Contrast-enhanced abdominal CT, axial slice 74 of 102 (counted from the lowest slice); tube voltage 120 kVp, convolution kernel B41f; slices 5.00 mm thick, 0.807 mm per pixel.
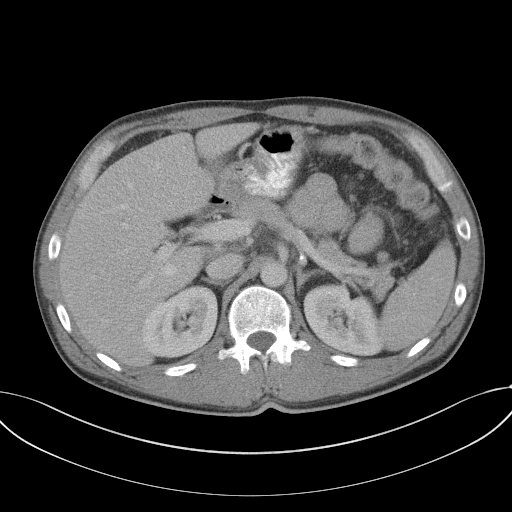
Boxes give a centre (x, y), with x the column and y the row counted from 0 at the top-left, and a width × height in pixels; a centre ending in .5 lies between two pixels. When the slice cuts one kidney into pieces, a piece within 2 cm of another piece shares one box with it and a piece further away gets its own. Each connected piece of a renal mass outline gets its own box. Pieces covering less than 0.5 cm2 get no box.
Two boxes on this slice (two kidney boxes), listed by box centre from the image's left to its right. (1) Right kidney in a box with centre (179, 321), 77 × 75 pixels (outlined area 4,163 px, about 27.1 cm2). (2) Box centre (342, 319.5), 79 × 74 pixels: left kidney (outlined area 4,173 px, about 27.2 cm2). No renal mass is outlined on this slice.